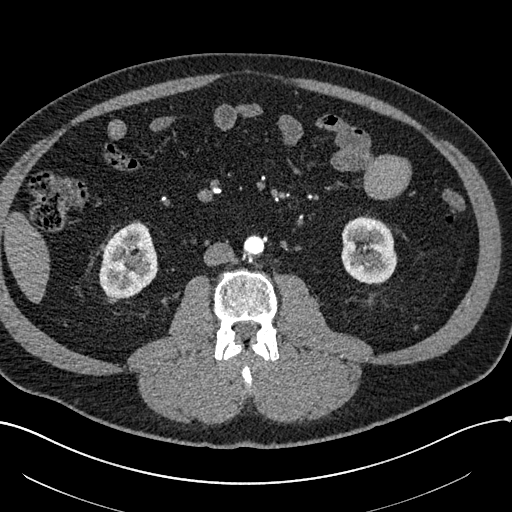
Abdominal CT with intravenous contrast, arterial phase, axial plane, 120 kVp, kernel I30f. Slice 247/602 from the bottom of the scan; thickness 1.00 mm; pixel size 0.799 mm.
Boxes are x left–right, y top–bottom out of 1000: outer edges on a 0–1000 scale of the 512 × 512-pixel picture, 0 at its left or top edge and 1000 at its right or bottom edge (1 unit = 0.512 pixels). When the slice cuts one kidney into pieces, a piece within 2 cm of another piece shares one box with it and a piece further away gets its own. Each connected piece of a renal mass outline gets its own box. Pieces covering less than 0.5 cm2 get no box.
Boxed on this slice (two kidney boxes), listed by box centre from the image's left to its right: (1) Box x 193–309, y 434–586 out of 1000: right kidney (outlined area 3,400 px, about 21.7 cm2). (2) Left kidney at x 666–777, y 420–557 out of 1000 (outlined area 3,121 px, about 19.9 cm2).